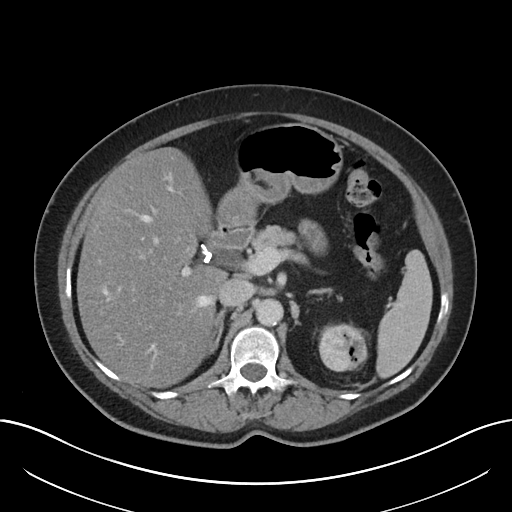
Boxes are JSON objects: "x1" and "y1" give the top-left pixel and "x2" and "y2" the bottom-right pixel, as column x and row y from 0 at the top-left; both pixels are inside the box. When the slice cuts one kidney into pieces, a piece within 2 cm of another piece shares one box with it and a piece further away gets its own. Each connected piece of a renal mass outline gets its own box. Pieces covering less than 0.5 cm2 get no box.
This is axial slice 135 of 197 (slice 1 is the lowest) of an abdominal CT with contrast; each pixel is 0.791 mm and the slice is 5.00 mm thick. Box {"x1": 318, "y1": 323, "x2": 367, "y2": 371}: left renal mass (outlined area 1,977 px, about 12.4 cm2); no kidney is outlined on this slice, but the same outlined renal mass comes within 1 cm of the kidney on another slice.
Tube voltage 120 kVp; convolution kernel I30f.